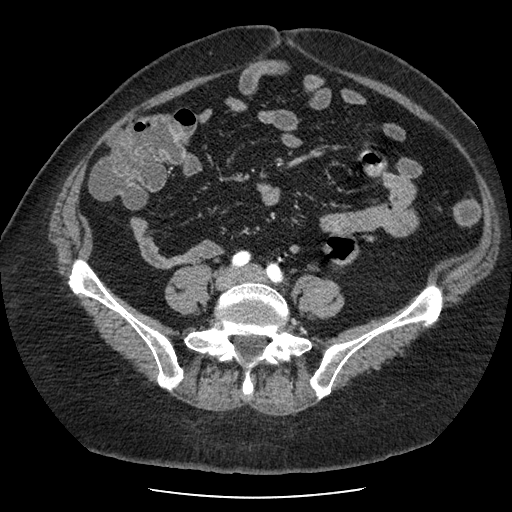
Abdominal CT with intravenous contrast, arterial phase, axial plane, 120 kVp, kernel STANDARD. Slice 80/186 from the bottom of the scan; thickness 2.50 mm; pixel size 0.742 mm.
No kidney and no renal mass is outlined on this slice; the outlines in this scan cover only the kidneys and the renal masses, so nothing is said about any other organ.